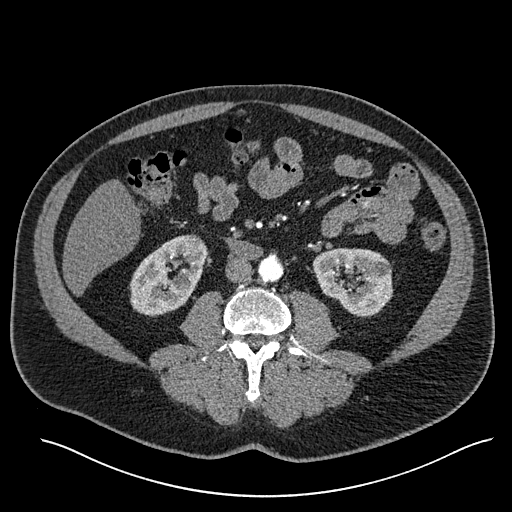
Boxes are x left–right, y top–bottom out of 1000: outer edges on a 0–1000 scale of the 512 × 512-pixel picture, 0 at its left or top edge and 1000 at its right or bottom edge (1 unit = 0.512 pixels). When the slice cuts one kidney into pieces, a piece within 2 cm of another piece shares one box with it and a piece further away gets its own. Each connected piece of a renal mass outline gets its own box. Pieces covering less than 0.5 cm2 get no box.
This is axial slice 253 of 527 (slice 1 is the lowest) of an arterial-phase abdominal CT with contrast; each pixel is 0.859 mm and the slice is 1.00 mm thick. Two kidney boxes on this slice; by box centre, from the image's left to its right: (1) Box x 252–404, y 457–619 out of 1000: right kidney (outlined area 4,379 px, about 32.3 cm2). (2) Box x 609–768, y 484–619 out of 1000: left kidney (outlined area 4,183 px, about 30.9 cm2). No renal mass outline on this slice.
Scan settings: 120 kVp, I30f reconstruction kernel.